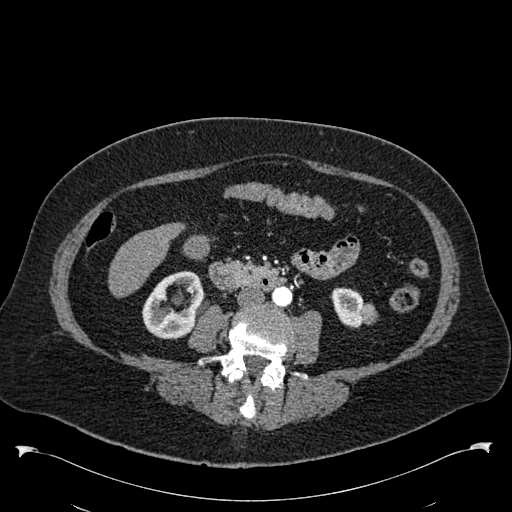
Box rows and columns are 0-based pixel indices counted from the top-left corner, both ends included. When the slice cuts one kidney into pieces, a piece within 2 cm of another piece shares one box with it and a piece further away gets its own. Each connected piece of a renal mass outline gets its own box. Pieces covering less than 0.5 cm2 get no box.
Arterial-phase contrast-enhanced abdominal CT, axial slice 244 of 538 (counted from the lowest slice); 1.00 mm thick, 0.811 mm per pixel. Two kidney boxes and one renal mass box on this slice; by box centre, from the image's left to its right: (1) Right kidney at rows 270–339, columns 142–203 (outlined area 2,840 px, about 18.7 cm2). (2) Left kidney, box rows 287–328, columns 330–362 (outlined area 1,005 px, about 6.6 cm2). (3) Left renal mass, box rows 300–324, columns 360–377 (outlined area 310 px, about 2.0 cm2).
Tube voltage 120 kVp; convolution kernel B30f.